One axial slice (437 of 673, counting up from the lowest) of an arterial-phase abdominal CT acquired with 140 kVp, kernel I30f; each pixel is 0.957 mm and the slice is 1.00 mm thick.
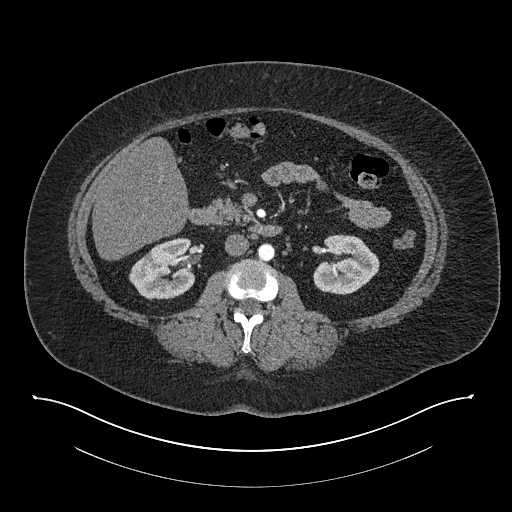
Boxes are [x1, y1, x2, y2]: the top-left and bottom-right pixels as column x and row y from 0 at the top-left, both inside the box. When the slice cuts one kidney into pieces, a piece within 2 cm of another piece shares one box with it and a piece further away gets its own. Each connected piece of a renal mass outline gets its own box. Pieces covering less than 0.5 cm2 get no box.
Boxed on this slice (two kidney boxes), listed by box centre from the image's left to its right: (1) Right kidney at [128, 238, 195, 300] (outlined area 3,075 px, about 28.2 cm2). (2) Left kidney at [312, 234, 379, 294] (outlined area 2,951 px, about 27.0 cm2). No renal mass outline on this slice.